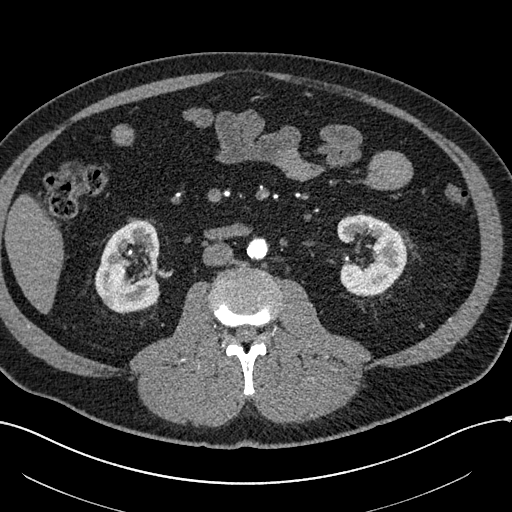
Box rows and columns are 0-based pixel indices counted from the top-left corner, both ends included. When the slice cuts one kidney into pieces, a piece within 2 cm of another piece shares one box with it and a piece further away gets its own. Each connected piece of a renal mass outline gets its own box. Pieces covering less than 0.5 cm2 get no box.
Slice 273/602 of a contrast-enhanced abdominal CT in the arterial phase, counting up from the lowest; pixel size 0.799 mm, slice thickness 1.00 mm. Two boxes on this slice (two kidney boxes), listed by box centre from the image's left to its right. (1) Right kidney at rows 220–312, columns 94–160 (outlined area 4,526 px, about 28.9 cm2). (2) Box rows 214–296, columns 337–406: left kidney (outlined area 4,073 px, about 26.0 cm2).
Tube voltage 120 kVp; convolution kernel I30f.